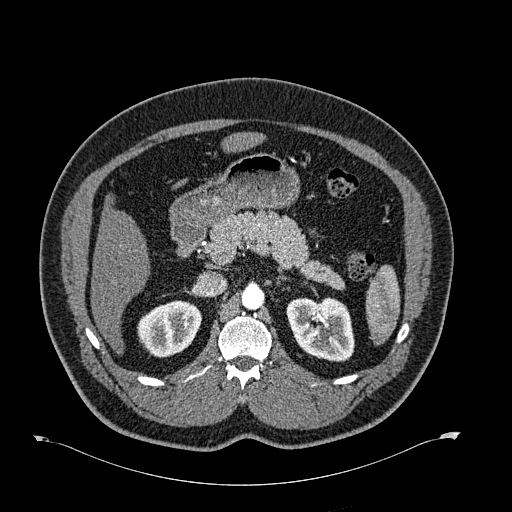
Abdominal CT with intravenous contrast, arterial phase, axial plane, 120 kVp, kernel B30f. Slice 425/723 from the bottom of the scan; thickness 1.00 mm; pixel size 0.895 mm.
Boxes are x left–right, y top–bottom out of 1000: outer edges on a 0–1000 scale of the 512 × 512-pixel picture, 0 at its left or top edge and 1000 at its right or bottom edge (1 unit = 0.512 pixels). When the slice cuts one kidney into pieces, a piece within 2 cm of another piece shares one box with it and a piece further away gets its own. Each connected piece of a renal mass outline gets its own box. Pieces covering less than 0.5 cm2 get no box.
Two kidney boxes on this slice; by box centre, from the image's left to its right: (1) Box x 268–395, y 586–699 out of 1000: right kidney (outlined area 2,777 px, about 22.2 cm2). (2) Box x 559–693, y 580–707 out of 1000: left kidney (outlined area 3,476 px, about 27.8 cm2). No renal mass outline on this slice.